Arterial-phase contrast-enhanced abdominal CT, axial slice 233 of 470 (counted from the lowest slice); tube voltage 120 kVp, convolution kernel I26f; slices 1.00 mm thick, 0.938 mm per pixel.
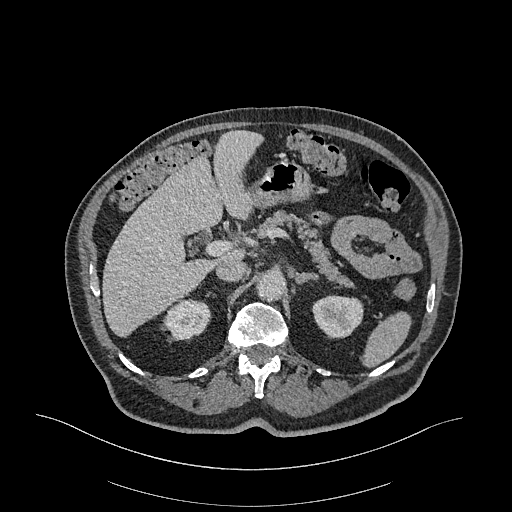
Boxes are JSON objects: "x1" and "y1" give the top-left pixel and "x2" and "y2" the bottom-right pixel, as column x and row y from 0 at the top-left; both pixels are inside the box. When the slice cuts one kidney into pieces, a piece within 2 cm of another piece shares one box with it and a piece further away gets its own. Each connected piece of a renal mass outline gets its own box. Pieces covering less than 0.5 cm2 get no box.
Two kidney boxes on this slice; by box centre, from the image's left to its right: (1) Right kidney, box {"x1": 164, "y1": 299, "x2": 211, "y2": 340} (outlined area 1,472 px, about 12.9 cm2). (2) Left kidney, box {"x1": 311, "y1": 295, "x2": 363, "y2": 338} (outlined area 1,767 px, about 15.5 cm2). No renal mass is outlined on this slice.